One axial slice (377 of 665, counting up from the lowest) of an arterial-phase abdominal CT acquired with 100 kVp, kernel I26f; each pixel is 0.828 mm and the slice is 1.00 mm thick.
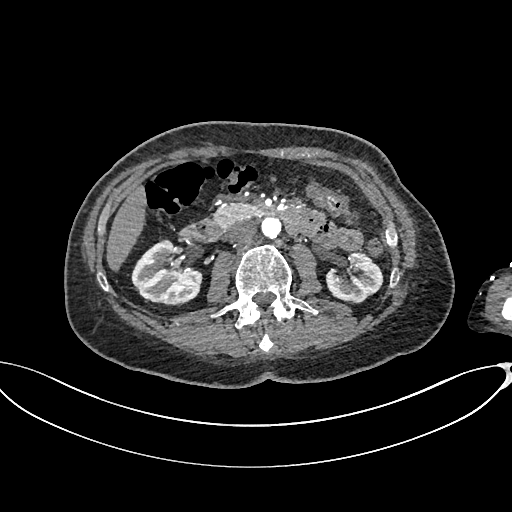
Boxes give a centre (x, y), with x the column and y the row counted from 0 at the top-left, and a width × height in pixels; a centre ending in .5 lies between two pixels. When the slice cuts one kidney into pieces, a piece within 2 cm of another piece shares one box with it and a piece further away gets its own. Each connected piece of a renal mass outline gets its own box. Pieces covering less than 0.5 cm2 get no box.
Two boxes on this slice (two kidney boxes), listed by box centre from the image's left to its right. (1) Right kidney in a box with centre (166.5, 272), 72 × 67 pixels (outlined area 3,366 px, about 23.1 cm2). (2) Left kidney in a box with centre (354.5, 277.5), 58 × 52 pixels (outlined area 2,109 px, about 14.5 cm2). This slice carries no renal mass outline.